Arterial-phase contrast-enhanced abdominal CT, axial slice 23 of 36 (counted from the lowest slice); tube voltage 140 kVp, convolution kernel I30f; slices 5.00 mm thick, 0.906 mm per pixel.
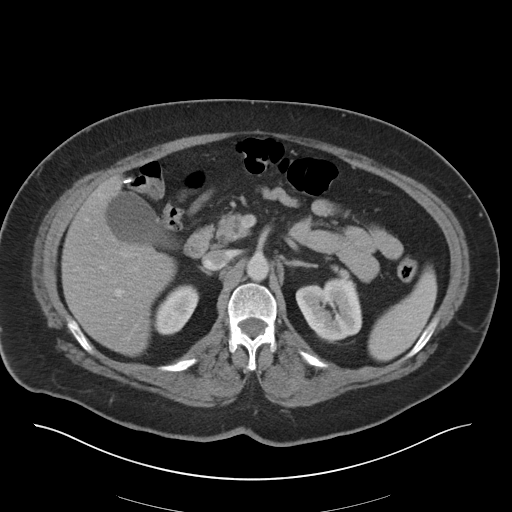
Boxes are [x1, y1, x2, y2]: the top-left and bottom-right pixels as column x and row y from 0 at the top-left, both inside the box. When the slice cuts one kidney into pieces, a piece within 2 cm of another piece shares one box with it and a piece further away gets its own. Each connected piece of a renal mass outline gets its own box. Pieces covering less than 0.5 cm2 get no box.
Two kidney boxes on this slice; by box centre, from the image's left to its right: (1) Right kidney at [153, 284, 199, 335] (outlined area 1,601 px, about 13.1 cm2). (2) Left kidney at [295, 278, 362, 343] (outlined area 3,250 px, about 26.7 cm2). No renal mass is outlined on this slice.